Axial slice 379 of 634 of a contrast-enhanced abdominal CT in the arterial phase (slice 1 is the lowest), 120 kVp, kernel B20f; 1.00 mm slice thickness and 0.838 mm pixels.
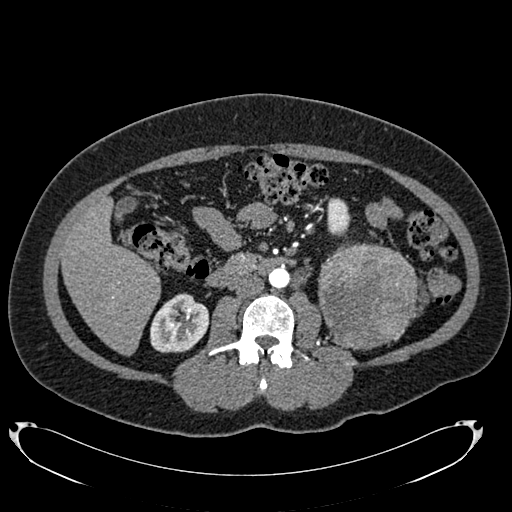
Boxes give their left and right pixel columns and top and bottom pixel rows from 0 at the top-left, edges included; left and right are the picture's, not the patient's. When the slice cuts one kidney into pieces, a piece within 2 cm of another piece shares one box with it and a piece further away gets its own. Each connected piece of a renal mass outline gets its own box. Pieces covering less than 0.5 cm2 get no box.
Boxed on this slice (two kidney boxes and one renal mass box), listed by box centre from the image's left to its right: (1) Right kidney in the box with left 150, top 293, right 209, bottom 352 (outlined area 2,688 px, about 18.9 cm2). (2) Left kidney, the box with left 327, top 197, right 350, bottom 236 (outlined area 777 px, about 5.5 cm2). (3) Box with left 317, top 241, right 418, bottom 350: left renal mass (outlined area 8,703 px, about 61.1 cm2).